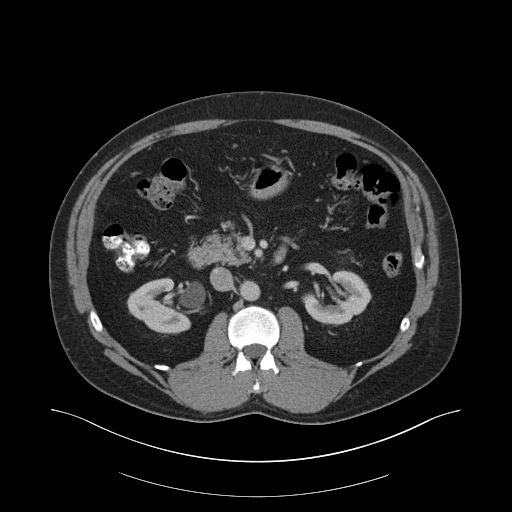
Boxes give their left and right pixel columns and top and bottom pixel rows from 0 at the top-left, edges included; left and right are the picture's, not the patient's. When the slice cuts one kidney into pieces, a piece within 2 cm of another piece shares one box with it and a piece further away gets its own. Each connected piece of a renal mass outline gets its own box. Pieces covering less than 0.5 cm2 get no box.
Arterial-phase contrast-enhanced abdominal CT, axial slice 109 of 159 (counted from the lowest slice); 3.00 mm thick, 0.977 mm per pixel. Boxed on this slice (two kidney boxes), listed by box centre from the image's left to its right: (1) Right kidney, the box with left 127, top 277, right 190, bottom 333 (outlined area 2,443 px, about 23.3 cm2). (2) Box with left 302, top 270, right 371, bottom 324: left kidney (outlined area 2,466 px, about 23.5 cm2). No renal mass outline on this slice.
Scan settings: 140 kVp, B30f reconstruction kernel.